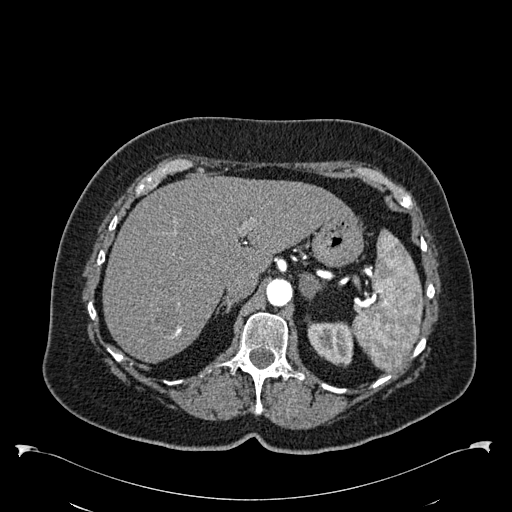
Arterial-phase contrast-enhanced abdominal CT, axial slice 428 of 538 (counted from the lowest slice); tube voltage 120 kVp, convolution kernel B30f; slices 1.00 mm thick, 0.811 mm per pixel.
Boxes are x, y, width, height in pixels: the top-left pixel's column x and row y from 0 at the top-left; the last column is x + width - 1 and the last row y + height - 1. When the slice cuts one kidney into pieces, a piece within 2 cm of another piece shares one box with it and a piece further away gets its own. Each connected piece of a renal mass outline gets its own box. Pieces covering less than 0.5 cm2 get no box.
Box x 307, y 321, width 47, height 47: left kidney (outlined area 1,631 px, about 10.7 cm2). This slice carries no renal mass outline.